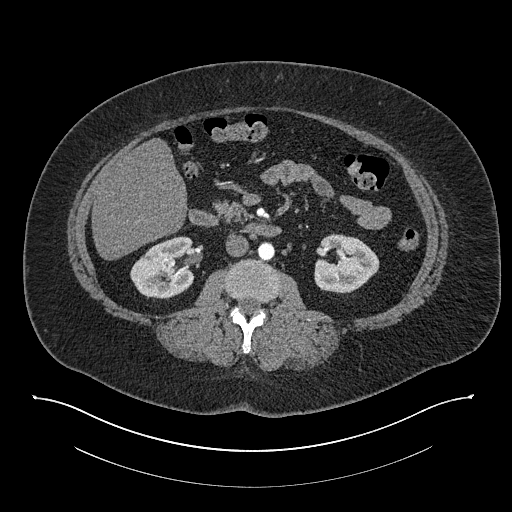
Axial slice 430 of 673 of a contrast-enhanced abdominal CT in the arterial phase (slice 1 is the lowest), 140 kVp, kernel I30f; 1.00 mm slice thickness and 0.957 mm pixels.
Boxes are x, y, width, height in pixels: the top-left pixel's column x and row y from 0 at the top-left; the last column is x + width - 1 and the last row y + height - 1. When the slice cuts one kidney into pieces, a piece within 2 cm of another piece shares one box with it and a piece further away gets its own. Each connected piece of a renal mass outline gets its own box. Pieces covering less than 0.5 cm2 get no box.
Two boxes on this slice (two kidney boxes), listed by box centre from the image's left to its right. (1) Box x 130, y 236, width 65, height 64: right kidney (outlined area 3,057 px, about 28.0 cm2). (2) Left kidney, box x 314, y 233, width 66, height 61 (outlined area 2,924 px, about 26.8 cm2). No renal mass is outlined on this slice.